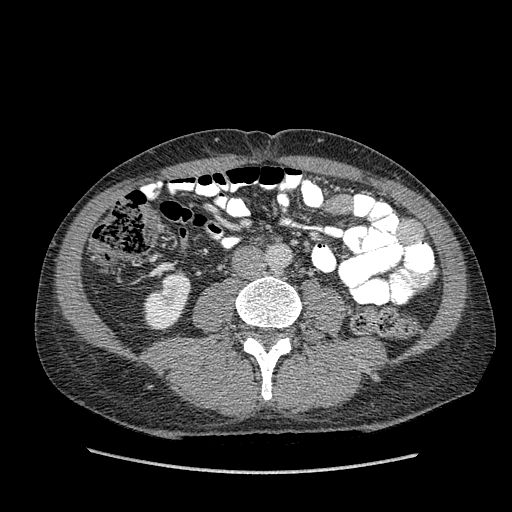
Axial slice 161 of 349 of a contrast-enhanced abdominal CT in the arterial phase (slice 1 is the lowest), 120 kVp, kernel STANDARD; 1.25 mm slice thickness and 0.742 mm pixels.
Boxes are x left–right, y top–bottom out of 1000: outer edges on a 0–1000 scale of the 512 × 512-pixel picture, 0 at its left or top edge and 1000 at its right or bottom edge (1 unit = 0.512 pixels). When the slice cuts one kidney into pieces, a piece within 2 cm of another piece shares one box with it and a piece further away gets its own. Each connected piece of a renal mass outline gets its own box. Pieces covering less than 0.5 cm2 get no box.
Box x 279–375, y 533–646 out of 1000: right kidney (outlined area 1,938 px, about 10.7 cm2). This slice carries no renal mass outline.